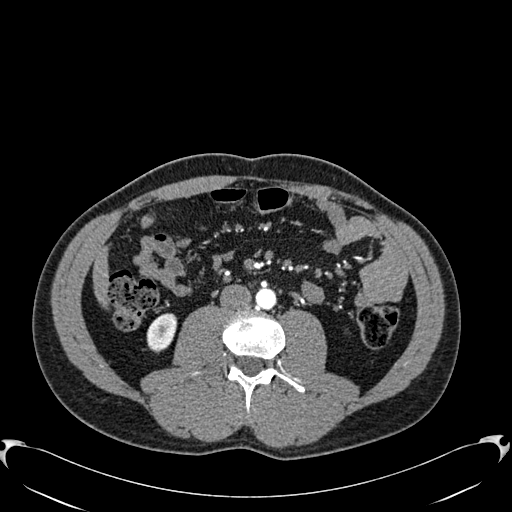
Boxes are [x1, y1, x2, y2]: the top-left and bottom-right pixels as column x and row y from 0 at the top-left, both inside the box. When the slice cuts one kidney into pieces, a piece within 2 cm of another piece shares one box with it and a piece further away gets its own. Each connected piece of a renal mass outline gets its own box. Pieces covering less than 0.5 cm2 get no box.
Arterial-phase contrast-enhanced abdominal CT, axial slice 268 of 512 (counted from the lowest slice); 1.00 mm thick, 0.771 mm per pixel. Right kidney, box [146, 313, 177, 352] (outlined area 913 px, about 5.4 cm2). No renal mass outline on this slice.
Acquired at 120 kVp and reconstructed with the B30f kernel.